Axial slice 491 of 553 of a contrast-enhanced abdominal CT in the arterial phase (slice 1 is the lowest), 120 kVp, kernel B20f; 1.00 mm slice thickness and 0.773 mm pixels.
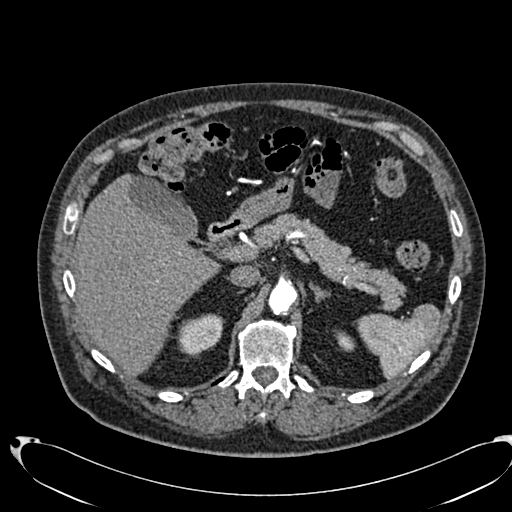
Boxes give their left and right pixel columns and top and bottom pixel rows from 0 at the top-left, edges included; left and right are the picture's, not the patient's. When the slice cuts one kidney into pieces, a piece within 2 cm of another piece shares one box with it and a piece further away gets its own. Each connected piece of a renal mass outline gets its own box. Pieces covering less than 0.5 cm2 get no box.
Two kidney boxes on this slice; by box centre, from the image's left to its right: (1) Box with left 177, top 313, right 224, bottom 357: right kidney (outlined area 1,467 px, about 8.8 cm2). (2) Left kidney in the box with left 335, top 331, right 355, bottom 351 (outlined area 284 px, about 1.7 cm2). No renal mass is outlined on this slice.